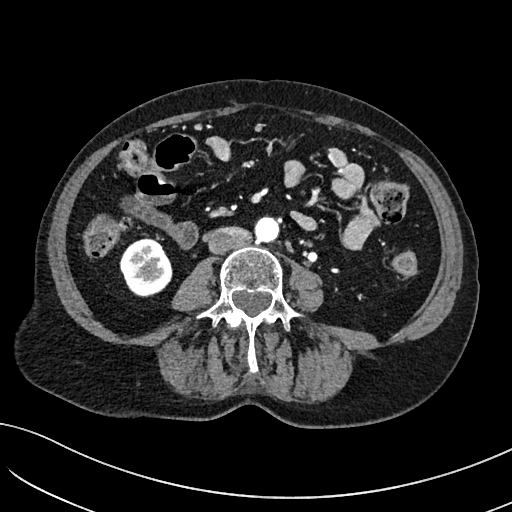
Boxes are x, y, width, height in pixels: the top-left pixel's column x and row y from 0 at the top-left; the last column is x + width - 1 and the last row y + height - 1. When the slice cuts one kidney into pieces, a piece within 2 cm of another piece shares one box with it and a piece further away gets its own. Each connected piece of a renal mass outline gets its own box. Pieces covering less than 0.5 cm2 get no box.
This is axial slice 18 of 234 (slice 1 is the lowest) of an arterial-phase abdominal CT with contrast; each pixel is 0.699 mm and the slice is 2.00 mm thick. Right kidney, box x 119, y 238, width 54, height 59 (outlined area 2,372 px, about 11.6 cm2). This slice carries no renal mass outline.
Tube voltage 100 kVp; convolution kernel I40f.